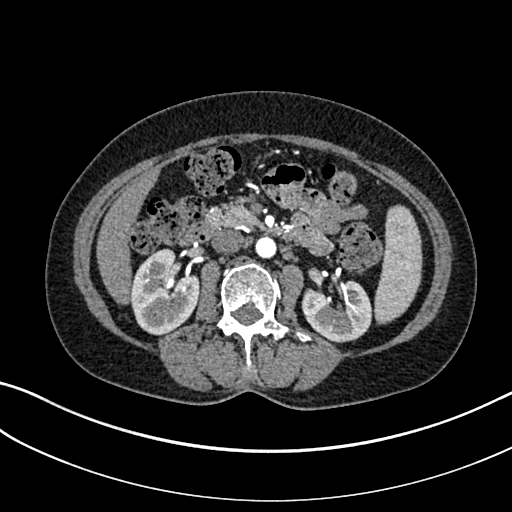
One axial slice (156 of 325, counting up from the lowest) of an arterial-phase abdominal CT acquired with 100 kVp, kernel I30f; each pixel is 0.703 mm and the slice is 1.00 mm thick.
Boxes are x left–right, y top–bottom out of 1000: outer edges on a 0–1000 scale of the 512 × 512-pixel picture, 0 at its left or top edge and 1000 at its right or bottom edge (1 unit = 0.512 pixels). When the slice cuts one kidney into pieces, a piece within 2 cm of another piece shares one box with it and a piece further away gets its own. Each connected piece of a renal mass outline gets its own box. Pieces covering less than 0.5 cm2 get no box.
Two boxes on this slice (two kidney boxes), listed by box centre from the image's left to its right. (1) Right kidney at x 254–391, y 484–656 out of 1000 (outlined area 4,394 px, about 21.7 cm2). (2) Left kidney at x 588–729, y 547–670 out of 1000 (outlined area 3,261 px, about 16.1 cm2). This slice carries no renal mass outline.